Abdominal CT with intravenous contrast, arterial phase, axial plane, 120 kVp, kernel I26f. Slice 370/548 from the bottom of the scan; thickness 1.00 mm; pixel size 0.852 mm.
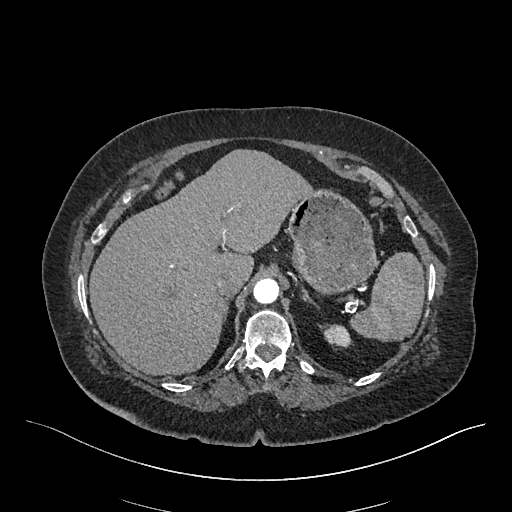
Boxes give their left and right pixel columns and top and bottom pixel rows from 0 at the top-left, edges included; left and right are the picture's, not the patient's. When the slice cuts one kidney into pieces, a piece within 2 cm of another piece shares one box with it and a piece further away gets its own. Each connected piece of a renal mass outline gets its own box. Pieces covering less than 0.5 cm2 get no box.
Left kidney in the box with left 325, top 325, right 349, bottom 346 (outlined area 442 px, about 3.2 cm2). This slice carries no renal mass outline.